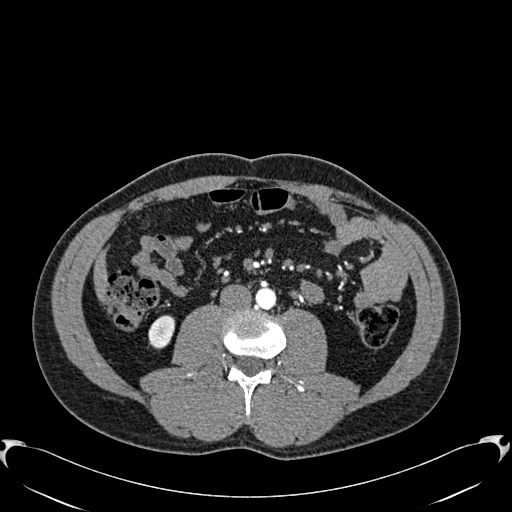
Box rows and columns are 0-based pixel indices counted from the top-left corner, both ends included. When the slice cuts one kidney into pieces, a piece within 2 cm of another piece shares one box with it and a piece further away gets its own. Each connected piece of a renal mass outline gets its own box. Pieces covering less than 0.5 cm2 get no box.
Arterial-phase contrast-enhanced abdominal CT, axial slice 265 of 512 (counted from the lowest slice); 1.00 mm thick, 0.771 mm per pixel. Right kidney, box rows 315–349, columns 148–175 (outlined area 721 px, about 4.3 cm2). No renal mass is outlined on this slice.
Acquired at 120 kVp and reconstructed with the B30f kernel.